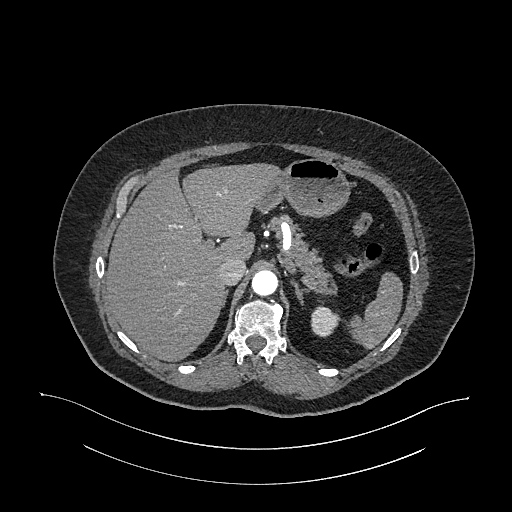
Abdominal CT with intravenous contrast, arterial phase, axial plane, 120 kVp, kernel I26f. Slice 794/987 from the bottom of the scan; thickness 1.00 mm; pixel size 0.977 mm.
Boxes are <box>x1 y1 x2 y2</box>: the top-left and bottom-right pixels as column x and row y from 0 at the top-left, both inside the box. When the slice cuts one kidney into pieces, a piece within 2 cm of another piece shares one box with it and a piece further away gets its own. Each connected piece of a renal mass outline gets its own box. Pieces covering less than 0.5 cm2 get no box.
Left kidney at <box>311 306 340 337</box> (outlined area 690 px, about 6.6 cm2). No renal mass outline on this slice.